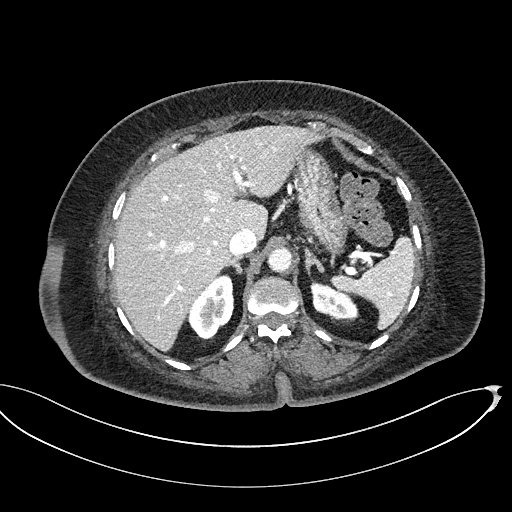
Abdominal CT with intravenous contrast, axial plane, 100 kVp, kernel I40f. Slice 357/439 from the bottom of the scan; thickness 2.00 mm; pixel size 0.850 mm.
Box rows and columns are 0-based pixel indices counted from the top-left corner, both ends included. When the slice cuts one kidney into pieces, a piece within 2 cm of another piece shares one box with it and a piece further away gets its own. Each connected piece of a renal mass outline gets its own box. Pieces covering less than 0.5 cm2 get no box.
Boxed on this slice (two kidney boxes), listed by box centre from the image's left to its right: (1) Right kidney, box rows 274–339, columns 187–234 (outlined area 2,067 px, about 14.9 cm2). (2) Left kidney, box rows 282–322, columns 310–359 (outlined area 1,331 px, about 9.6 cm2). No renal mass is outlined on this slice.